Axial slice 376 of 1059 of a contrast-enhanced abdominal CT in the arterial phase (slice 1 is the lowest), 100 kVp, kernel I30f; 1.00 mm slice thickness and 0.811 mm pixels.
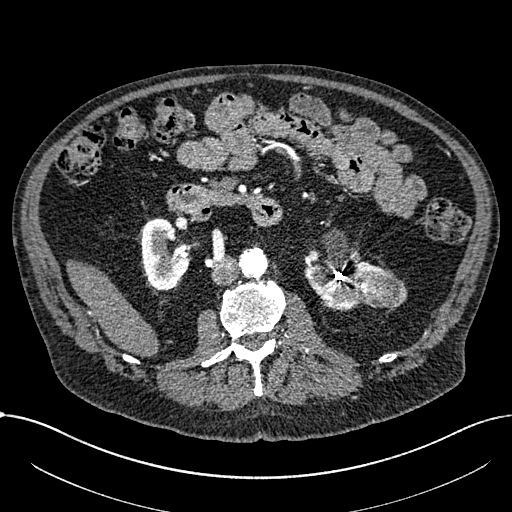
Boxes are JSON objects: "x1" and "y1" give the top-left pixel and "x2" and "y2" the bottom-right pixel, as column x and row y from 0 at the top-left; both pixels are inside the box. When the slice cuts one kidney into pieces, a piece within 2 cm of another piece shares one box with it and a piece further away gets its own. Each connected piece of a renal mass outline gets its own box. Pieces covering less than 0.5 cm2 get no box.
Two kidney boxes and one renal mass box on this slice; by box centre, from the image's left to its right: (1) Right part of the midline-crossing kidney, box {"x1": 141, "y1": 218, "x2": 199, "y2": 290} (outlined area 2,807 px, about 18.4 cm2). (2) Box {"x1": 304, "y1": 259, "x2": 393, "y2": 310}: left part of the midline-crossing kidney (outlined area 2,456 px, about 16.1 cm2). (3) Renal mass, box {"x1": 363, "y1": 273, "x2": 406, "y2": 308} (outlined area 1,291 px, about 8.5 cm2).